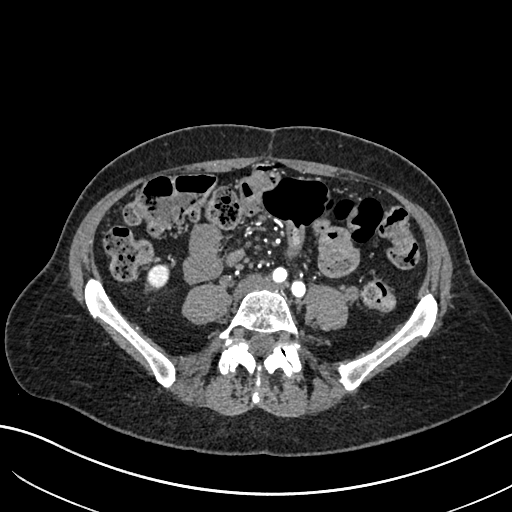
Abdominal CT with intravenous contrast, arterial phase, axial plane, 120 kVp, kernel I30f. Slice 242/683 from the bottom of the scan; thickness 1.00 mm; pixel size 0.738 mm.
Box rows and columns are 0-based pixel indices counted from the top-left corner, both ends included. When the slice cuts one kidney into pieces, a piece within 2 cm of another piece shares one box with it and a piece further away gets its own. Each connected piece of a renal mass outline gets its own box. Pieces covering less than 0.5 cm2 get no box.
Box rows 264–289, columns 147–169: right kidney (outlined area 480 px, about 2.6 cm2). No renal mass outline on this slice.